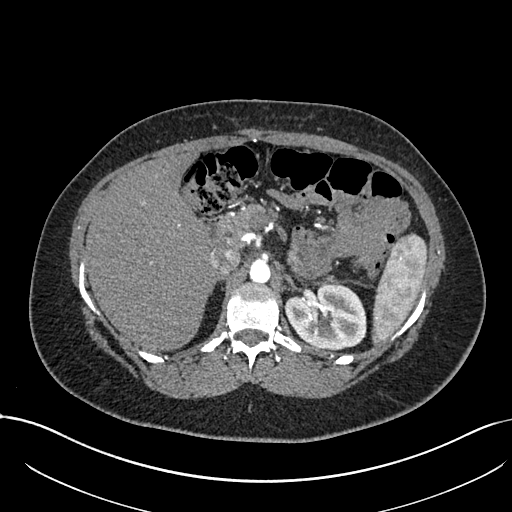
Axial slice 503 of 738 of a contrast-enhanced abdominal CT in the arterial phase (slice 1 is the lowest), 120 kVp, kernel I30f; 1.00 mm slice thickness and 0.789 mm pixels.
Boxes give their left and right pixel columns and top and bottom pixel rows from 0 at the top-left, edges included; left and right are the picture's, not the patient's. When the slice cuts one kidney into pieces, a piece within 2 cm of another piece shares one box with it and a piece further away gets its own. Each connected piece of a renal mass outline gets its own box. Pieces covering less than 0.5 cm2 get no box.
Left kidney, the box with left 284, top 282, right 366, bottom 349 (outlined area 4,271 px, about 26.6 cm2). No renal mass outline on this slice.